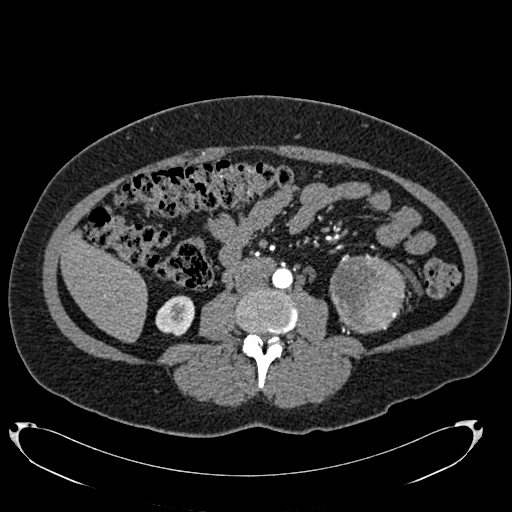
Axial slice 336 of 634 of a contrast-enhanced abdominal CT in the arterial phase (slice 1 is the lowest), 120 kVp, kernel B20f; 1.00 mm slice thickness and 0.838 mm pixels.
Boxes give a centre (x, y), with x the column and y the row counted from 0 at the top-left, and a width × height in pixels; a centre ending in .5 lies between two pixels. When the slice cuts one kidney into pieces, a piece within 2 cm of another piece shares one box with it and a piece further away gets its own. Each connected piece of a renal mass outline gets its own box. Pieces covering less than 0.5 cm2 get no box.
One kidney box and one renal mass box on this slice; by box centre, from the image's left to its right: (1) Right kidney in a box with centre (174.5, 315.5), 40 × 42 pixels (outlined area 1,232 px, about 8.6 cm2). (2) Box centre (366.5, 293.5), 76 × 80 pixels: left renal mass (outlined area 4,715 px, about 33.1 cm2); it sits over 1 cm from every kidney outline on this slice, but the same outlined renal mass comes within 1 cm of the kidney on another slice.